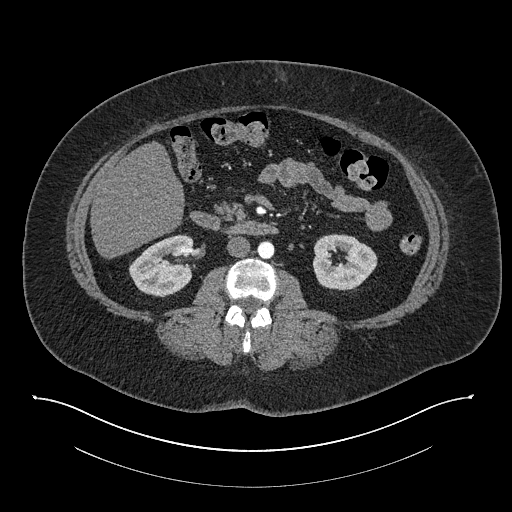
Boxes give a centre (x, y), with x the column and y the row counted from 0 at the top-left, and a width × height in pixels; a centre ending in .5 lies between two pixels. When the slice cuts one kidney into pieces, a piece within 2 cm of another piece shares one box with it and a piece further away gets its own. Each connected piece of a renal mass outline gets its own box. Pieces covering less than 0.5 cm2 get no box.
This is axial slice 417 of 673 (slice 1 is the lowest) of an arterial-phase abdominal CT with contrast; each pixel is 0.957 mm and the slice is 1.00 mm thick. Boxed on this slice (two kidney boxes), listed by box centre from the image's left to its right: (1) Right kidney, box centre (161, 265.5), 67 × 64 pixels (outlined area 3,002 px, about 27.5 cm2). (2) Left kidney in a box with centre (344.5, 262), 66 × 57 pixels (outlined area 2,792 px, about 25.6 cm2). No renal mass outline on this slice.
Acquired at 140 kVp and reconstructed with the I30f kernel.